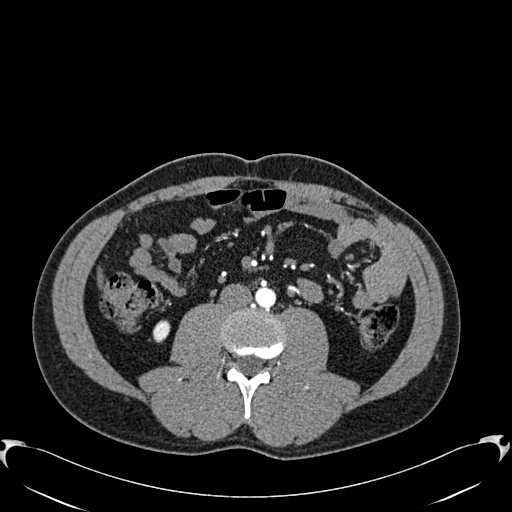
Abdominal CT with intravenous contrast, arterial phase, axial plane, 120 kVp, kernel B30f. Slice 258/512 from the bottom of the scan; thickness 1.00 mm; pixel size 0.771 mm.
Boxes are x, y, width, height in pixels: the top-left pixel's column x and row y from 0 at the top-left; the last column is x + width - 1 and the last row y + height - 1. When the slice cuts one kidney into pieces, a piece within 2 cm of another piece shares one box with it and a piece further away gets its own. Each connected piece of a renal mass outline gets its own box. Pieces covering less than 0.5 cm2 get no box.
Box x 152, y 320, width 19, height 23: right kidney (outlined area 317 px, about 1.9 cm2). This slice carries no renal mass outline.